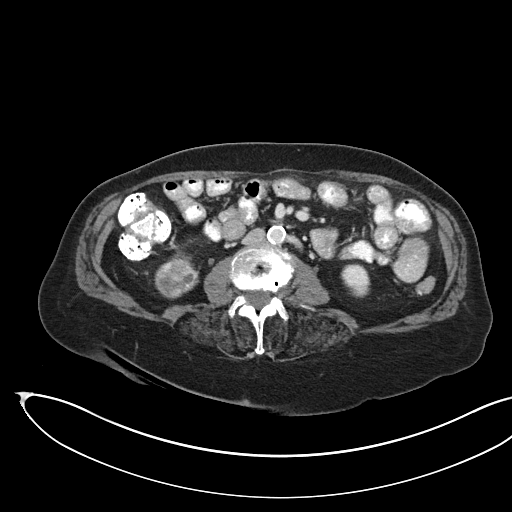
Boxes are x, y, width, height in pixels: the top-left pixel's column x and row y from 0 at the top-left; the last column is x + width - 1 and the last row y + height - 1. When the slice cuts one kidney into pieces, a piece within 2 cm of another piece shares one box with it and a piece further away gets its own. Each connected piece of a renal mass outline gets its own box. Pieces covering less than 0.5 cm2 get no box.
Arterial-phase contrast-enhanced abdominal CT, axial slice 85 of 145 (counted from the lowest slice); 3.00 mm thick, 0.834 mm per pixel. Three boxes on this slice (two kidney boxes and one renal mass box), listed by box centre from the image's left to its right. (1) Renal mass at x 155, y 258, width 44, height 41 (outlined area 1,314 px, about 9.1 cm2). (2) Box x 172, y 250, width 21, height 16: kidney (outlined area 125 px, about 0.9 cm2). (3) Kidney, box x 341, y 263, width 29, height 35 (outlined area 753 px, about 5.2 cm2).
Tube voltage 100 kVp; convolution kernel I40f.